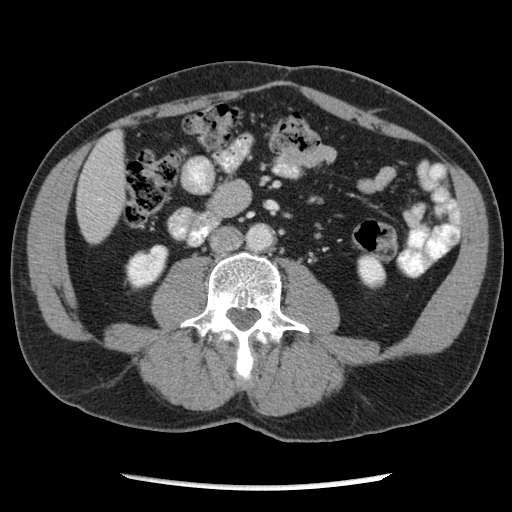
One axial slice (101 of 262, counting up from the lowest) of an arterial-phase abdominal CT acquired with 120 kVp, kernel STANDARD; each pixel is 0.703 mm and the slice is 2.50 mm thick.
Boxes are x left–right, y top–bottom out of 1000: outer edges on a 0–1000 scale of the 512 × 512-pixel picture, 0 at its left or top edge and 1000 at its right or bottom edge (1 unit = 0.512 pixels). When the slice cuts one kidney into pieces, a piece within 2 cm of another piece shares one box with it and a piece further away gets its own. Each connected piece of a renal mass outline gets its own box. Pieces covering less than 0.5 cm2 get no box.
Two kidney boxes on this slice; by box centre, from the image's left to its right: (1) Right kidney, box x 244–330, y 477–566 out of 1000 (outlined area 1,421 px, about 7.0 cm2). (2) Left kidney at x 697–756, y 494–566 out of 1000 (outlined area 796 px, about 3.9 cm2). No renal mass is outlined on this slice.